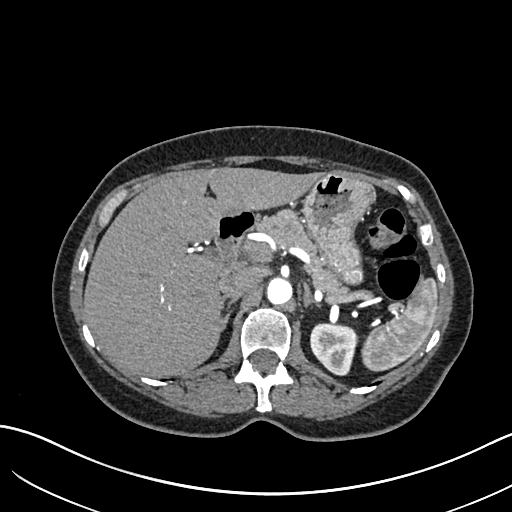
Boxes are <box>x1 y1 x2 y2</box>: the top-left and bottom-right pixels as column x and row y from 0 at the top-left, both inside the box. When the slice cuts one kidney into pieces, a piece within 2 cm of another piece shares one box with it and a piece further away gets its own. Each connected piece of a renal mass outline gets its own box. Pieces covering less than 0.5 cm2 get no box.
Arterial-phase contrast-enhanced abdominal CT, axial slice 458 of 683 (counted from the lowest slice); 1.00 mm thick, 0.738 mm per pixel. Left kidney at <box>310 324 357 375</box> (outlined area 1,930 px, about 10.5 cm2). No renal mass outline on this slice.
Tube voltage 120 kVp; convolution kernel I30f.